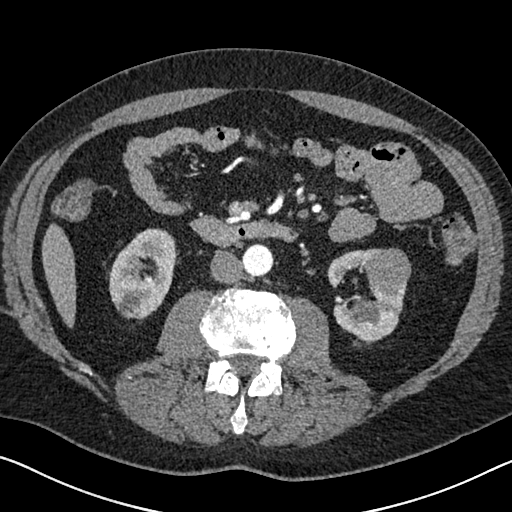
One axial slice (333 of 626, counting up from the lowest) of an arterial-phase abdominal CT acquired with 120 kVp, kernel I30f; each pixel is 0.703 mm and the slice is 1.00 mm thick.
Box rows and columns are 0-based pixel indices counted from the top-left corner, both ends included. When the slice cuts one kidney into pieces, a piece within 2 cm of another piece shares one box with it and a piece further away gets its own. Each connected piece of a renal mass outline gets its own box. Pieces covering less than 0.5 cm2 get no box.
Boxed on this slice (two kidney boxes and one renal mass box), listed by box centre from the image's left to its right: (1) Right kidney, box rows 228–319, columns 108–176 (outlined area 4,553 px, about 22.5 cm2). (2) Left kidney, box rows 248–341, columns 326–406 (outlined area 3,774 px, about 18.7 cm2). (3) Left renal mass at rows 248–291, columns 364–411 (outlined area 1,611 px, about 8.0 cm2).